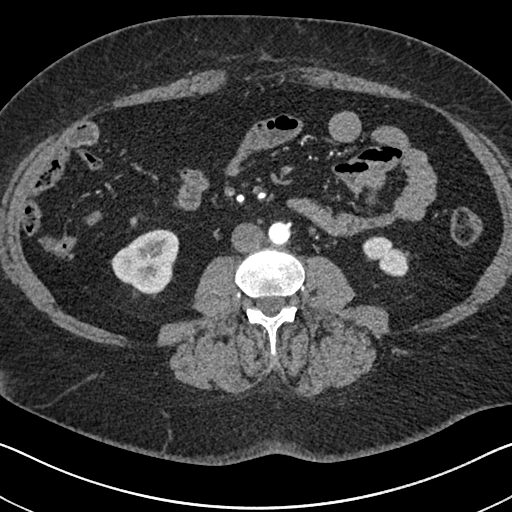
Abdominal CT with intravenous contrast, arterial phase, axial plane, 140 kVp, kernel I30f. Slice 299/591 from the bottom of the scan; thickness 1.00 mm; pixel size 0.703 mm.
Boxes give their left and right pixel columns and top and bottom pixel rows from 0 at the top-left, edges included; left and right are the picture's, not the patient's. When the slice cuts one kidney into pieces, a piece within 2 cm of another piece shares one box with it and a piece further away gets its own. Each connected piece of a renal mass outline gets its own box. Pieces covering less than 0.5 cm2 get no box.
Two kidney boxes on this slice; by box centre, from the image's left to its right: (1) Box with left 111, top 229, right 179, bottom 297: right kidney (outlined area 3,232 px, about 16.0 cm2). (2) Box with left 362, top 236, right 408, bottom 276: left kidney (outlined area 1,236 px, about 6.1 cm2). No renal mass is outlined on this slice.